Abdominal CT with intravenous contrast, arterial phase, axial plane, 120 kVp, kernel I30f. Slice 433/612 from the bottom of the scan; thickness 1.00 mm; pixel size 0.703 mm.
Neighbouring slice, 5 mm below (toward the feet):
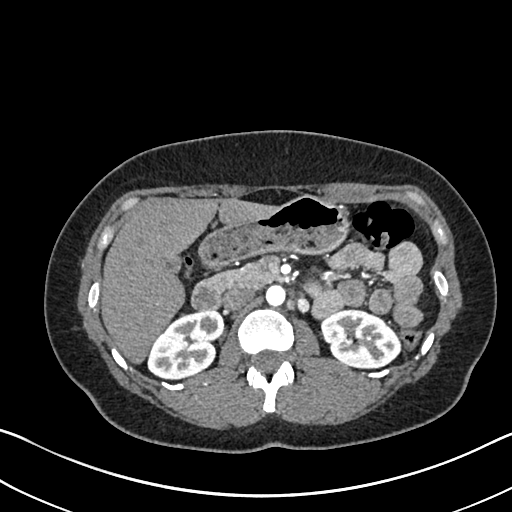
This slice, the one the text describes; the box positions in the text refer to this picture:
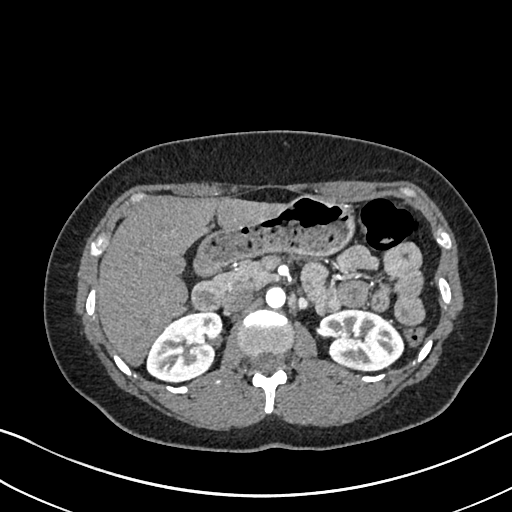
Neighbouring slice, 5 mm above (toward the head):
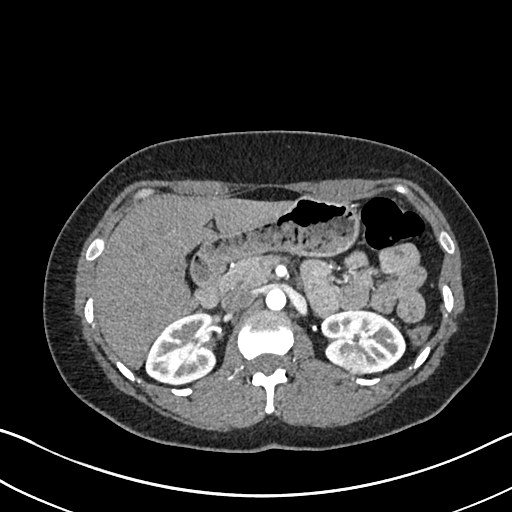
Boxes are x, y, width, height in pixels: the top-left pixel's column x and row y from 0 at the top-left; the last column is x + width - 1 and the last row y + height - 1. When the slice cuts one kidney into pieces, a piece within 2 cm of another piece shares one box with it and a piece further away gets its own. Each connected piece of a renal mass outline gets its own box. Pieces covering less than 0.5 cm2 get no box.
Two kidney boxes and one renal mass box on this slice; by box centre, from the image's left to its right: (1) Box x 146, y 311, width 78, height 73: right kidney (outlined area 4,006 px, about 19.8 cm2). (2) Left renal mass at x 348, y 354, width 16, height 12 (outlined area 161 px, about 0.8 cm2). (3) Left kidney, box x 318, y 308, width 87, height 64 (outlined area 3,881 px, about 19.2 cm2). This slice is near the end of the left renal mass toward the feet, so the slices 5 mm below and 5 mm above it are shown as well; the boxes refer to this slice only.